Arterial-phase contrast-enhanced abdominal CT, axial slice 720 of 987 (counted from the lowest slice); tube voltage 120 kVp, convolution kernel I26f; slices 1.00 mm thick, 0.977 mm per pixel.
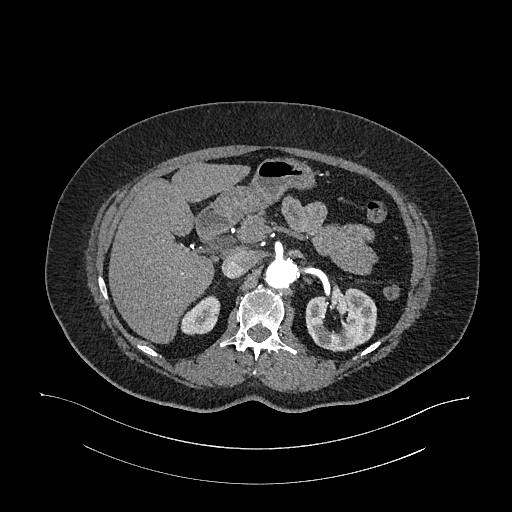
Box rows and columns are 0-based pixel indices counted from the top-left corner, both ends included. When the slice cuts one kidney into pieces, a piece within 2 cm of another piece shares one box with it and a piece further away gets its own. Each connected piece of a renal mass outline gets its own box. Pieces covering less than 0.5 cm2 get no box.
Two kidney boxes on this slice; by box centre, from the image's left to its right: (1) Box rows 295–335, columns 181–220: right kidney (outlined area 1,102 px, about 10.5 cm2). (2) Left kidney at rows 287–351, columns 305–377 (outlined area 3,393 px, about 32.4 cm2). This slice carries no renal mass outline.